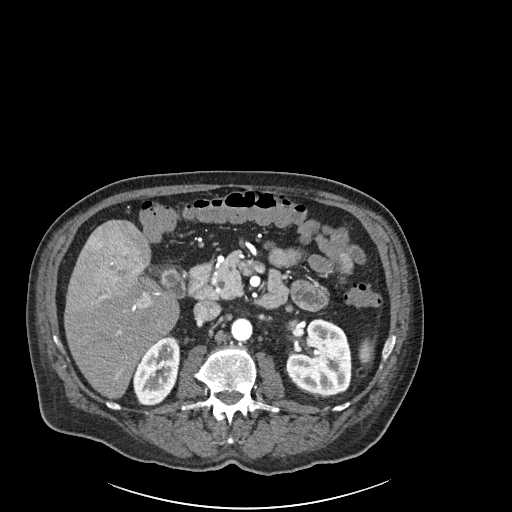
Abdominal CT with intravenous contrast, arterial phase, axial plane, 120 kVp, kernel I30f. Slice 117/261 from the bottom of the scan; thickness 2.00 mm; pixel size 0.939 mm.
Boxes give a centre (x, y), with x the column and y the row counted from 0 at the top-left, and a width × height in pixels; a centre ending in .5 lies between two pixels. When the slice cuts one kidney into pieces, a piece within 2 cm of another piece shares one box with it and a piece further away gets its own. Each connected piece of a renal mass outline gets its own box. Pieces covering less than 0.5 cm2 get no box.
Boxed on this slice (two kidney boxes), listed by box centre from the image's left to its right: (1) Box centre (156.5, 370.5), 48 × 72 pixels: right kidney (outlined area 2,414 px, about 21.3 cm2). (2) Left kidney, box centre (318.5, 356.5), 66 × 78 pixels (outlined area 3,974 px, about 35.1 cm2). This slice carries no renal mass outline.